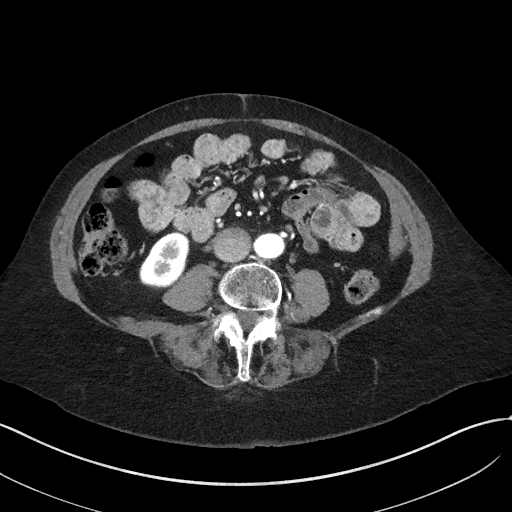
One axial slice (6 of 50, counting up from the lowest) of an arterial-phase abdominal CT acquired with 100 kVp, kernel I41f; each pixel is 0.758 mm and the slice is 3.00 mm thick.
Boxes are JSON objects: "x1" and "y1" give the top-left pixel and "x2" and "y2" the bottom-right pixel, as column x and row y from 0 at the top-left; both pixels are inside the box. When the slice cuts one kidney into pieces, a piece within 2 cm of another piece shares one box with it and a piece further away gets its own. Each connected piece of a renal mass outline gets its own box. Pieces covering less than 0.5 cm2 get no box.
Box {"x1": 139, "y1": 232, "x2": 187, "y2": 286}: right kidney (outlined area 1,940 px, about 11.1 cm2). No renal mass outline on this slice.